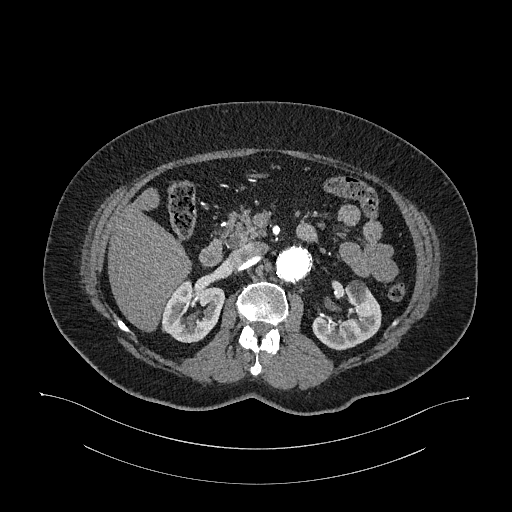
One axial slice (677 of 987, counting up from the lowest) of an arterial-phase abdominal CT acquired with 120 kVp, kernel I26f; each pixel is 0.977 mm and the slice is 1.00 mm thick.
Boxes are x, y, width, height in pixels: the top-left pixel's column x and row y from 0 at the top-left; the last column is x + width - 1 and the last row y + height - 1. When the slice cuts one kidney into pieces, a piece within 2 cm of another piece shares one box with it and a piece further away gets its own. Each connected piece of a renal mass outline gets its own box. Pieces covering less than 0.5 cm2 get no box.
Two boxes on this slice (two kidney boxes), listed by box centre from the image's left to its right. (1) Right kidney, box x 161, y 279, width 64, height 64 (outlined area 2,901 px, about 27.7 cm2). (2) Left kidney at x 312, y 281, width 70, height 70 (outlined area 3,007 px, about 28.7 cm2). This slice carries no renal mass outline.